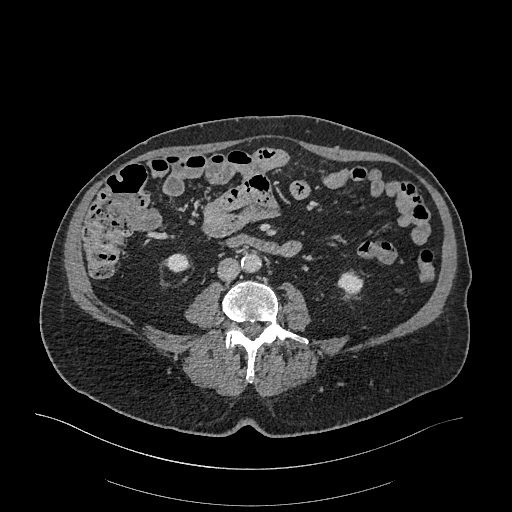
Axial slice 68 of 470 of a contrast-enhanced abdominal CT in the arterial phase (slice 1 is the lowest), 120 kVp, kernel I26f; 1.00 mm slice thickness and 0.938 mm pixels.
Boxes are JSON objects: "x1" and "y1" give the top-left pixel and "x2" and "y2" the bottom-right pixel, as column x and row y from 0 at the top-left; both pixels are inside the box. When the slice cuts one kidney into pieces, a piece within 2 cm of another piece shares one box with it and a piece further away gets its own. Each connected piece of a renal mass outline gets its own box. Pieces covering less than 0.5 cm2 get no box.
Two kidney boxes on this slice; by box centre, from the image's left to its right: (1) Right kidney at {"x1": 166, "y1": 253, "x2": 188, "y2": 272} (outlined area 351 px, about 3.1 cm2). (2) Left kidney at {"x1": 338, "y1": 272, "x2": 363, "y2": 293} (outlined area 446 px, about 3.9 cm2). No renal mass is outlined on this slice.